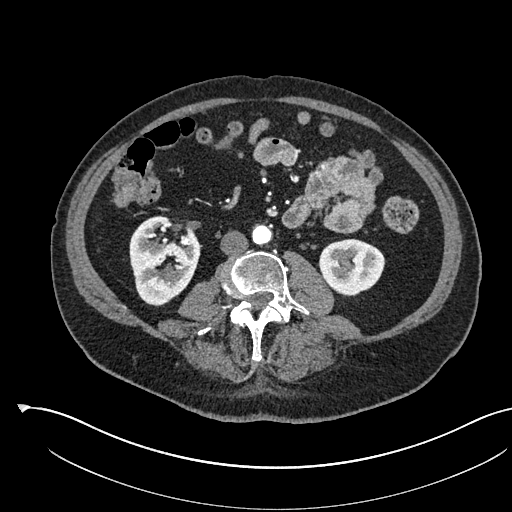
Axial slice 252 of 541 of a contrast-enhanced abdominal CT in the arterial phase (slice 1 is the lowest), 120 kVp, kernel I30f; 1.00 mm slice thickness and 0.834 mm pixels.
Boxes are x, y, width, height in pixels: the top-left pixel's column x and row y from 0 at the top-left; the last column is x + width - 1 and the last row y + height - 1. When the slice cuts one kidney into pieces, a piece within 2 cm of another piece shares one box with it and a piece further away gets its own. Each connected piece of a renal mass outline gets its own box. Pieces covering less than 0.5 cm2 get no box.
Two kidney boxes on this slice; by box centre, from the image's left to its right: (1) Right kidney at x 129, y 215, width 72, height 92 (outlined area 4,691 px, about 32.6 cm2). (2) Box x 319, y 238, width 67, height 59: left kidney (outlined area 2,913 px, about 20.3 cm2). This slice carries no renal mass outline.